Abdominal CT with intravenous contrast, axial plane, 140 kVp, kernel I44f. Slice 22/86 from the bottom of the scan; thickness 3.00 mm; pixel size 0.977 mm.
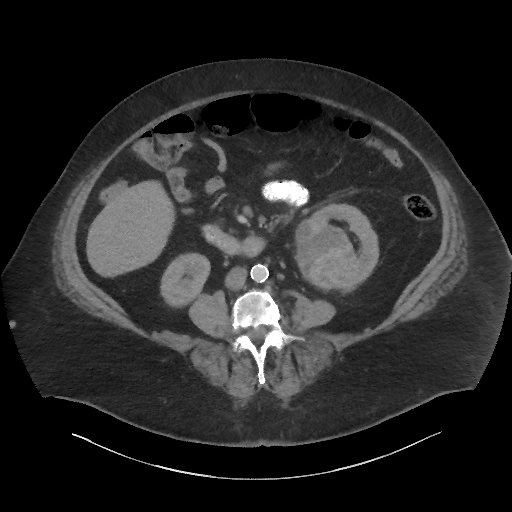
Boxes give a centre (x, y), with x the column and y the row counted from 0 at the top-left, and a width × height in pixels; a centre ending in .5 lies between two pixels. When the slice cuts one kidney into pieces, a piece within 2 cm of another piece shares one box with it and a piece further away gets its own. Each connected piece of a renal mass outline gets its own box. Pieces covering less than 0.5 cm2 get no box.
Two kidney boxes and one renal mass box on this slice; by box centre, from the image's left to its right: (1) Right kidney, box centre (185, 279.5), 51 × 56 pixels (outlined area 2,018 px, about 19.2 cm2). (2) Left renal mass, box centre (325.5, 255), 64 × 75 pixels (outlined area 3,526 px, about 33.6 cm2). (3) Left kidney, box centre (344, 248.5), 71 × 92 pixels (outlined area 2,298 px, about 21.9 cm2).